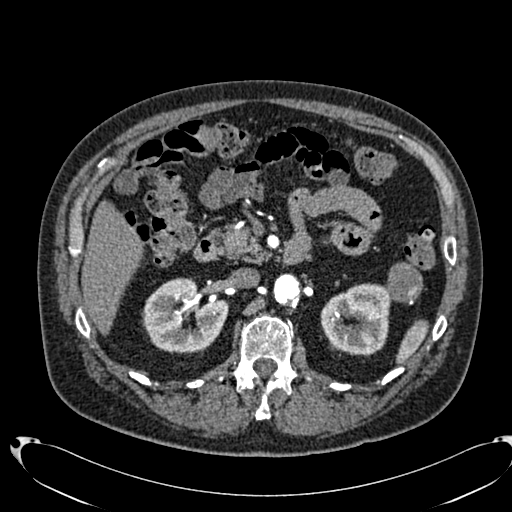
Abdominal CT with intravenous contrast, arterial phase, axial plane, 120 kVp, kernel B20f. Slice 445/553 from the bottom of the scan; thickness 1.00 mm; pixel size 0.773 mm.
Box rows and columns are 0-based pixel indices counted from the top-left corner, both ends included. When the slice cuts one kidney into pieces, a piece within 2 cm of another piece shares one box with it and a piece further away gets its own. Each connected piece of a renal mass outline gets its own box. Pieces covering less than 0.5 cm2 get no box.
Two kidney boxes and one renal mass box on this slice; by box centre, from the image's left to its right: (1) Right kidney, box rows 278–353, columns 141–228 (outlined area 4,792 px, about 28.7 cm2). (2) Left kidney, box rows 283–355, columns 320–391 (outlined area 3,945 px, about 23.6 cm2). (3) Left renal mass, box rows 262–304, columns 386–423 (outlined area 1,202 px, about 7.2 cm2).